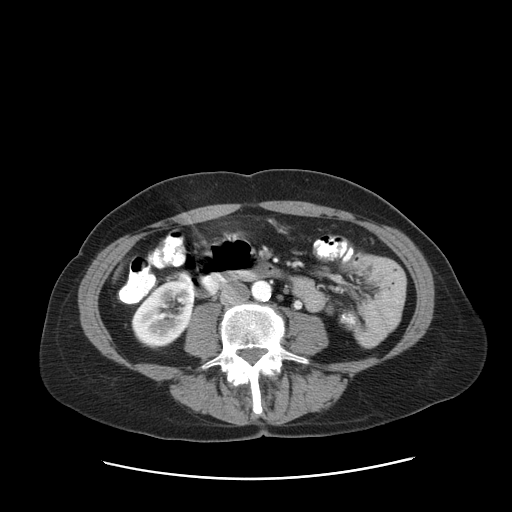
Abdominal CT with intravenous contrast, arterial phase, axial plane, 120 kVp, kernel STANDARD. Slice 43/83 from the bottom of the scan; thickness 5.00 mm; pixel size 0.775 mm.
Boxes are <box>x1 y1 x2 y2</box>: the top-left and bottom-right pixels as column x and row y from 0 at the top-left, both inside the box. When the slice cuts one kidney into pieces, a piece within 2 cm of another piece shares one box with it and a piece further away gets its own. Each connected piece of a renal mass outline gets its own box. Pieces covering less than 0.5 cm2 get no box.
At <box>131 279 195 349</box>: right kidney (outlined area 3,223 px, about 19.4 cm2). No renal mass outline on this slice.